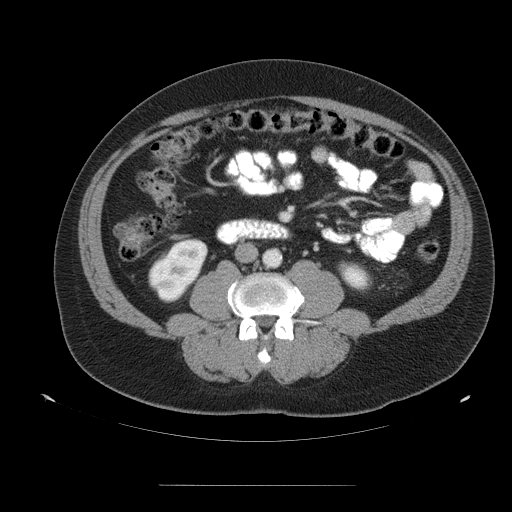
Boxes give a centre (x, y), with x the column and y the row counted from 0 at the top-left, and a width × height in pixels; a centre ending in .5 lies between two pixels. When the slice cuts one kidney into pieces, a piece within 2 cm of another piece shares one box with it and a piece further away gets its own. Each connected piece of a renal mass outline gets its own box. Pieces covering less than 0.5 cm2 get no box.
Slice 58/99 of a contrast-enhanced abdominal CT, counting up from the lowest; pixel size 0.938 mm, slice thickness 5.00 mm. Boxed on this slice (two kidney boxes), listed by box centre from the image's left to its right: (1) Box centre (177.5, 270), 60 × 65 pixels: right kidney (outlined area 2,592 px, about 22.8 cm2). (2) Box centre (354.5, 276), 36 × 33 pixels: left kidney (outlined area 776 px, about 6.8 cm2). This slice carries no renal mass outline.
Scan settings: 120 kVp, STANDARD reconstruction kernel.